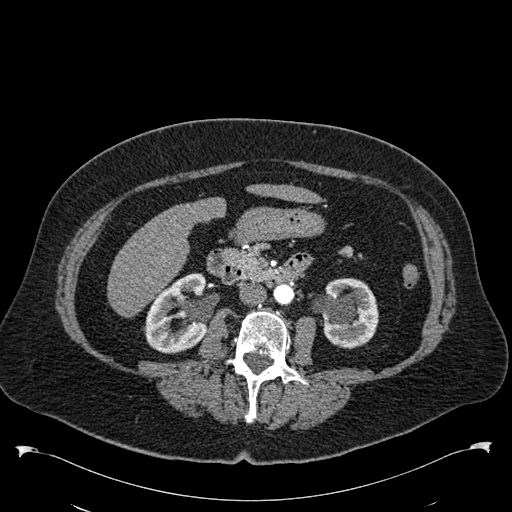
One axial slice (289 of 538, counting up from the lowest) of an arterial-phase abdominal CT acquired with 120 kVp, kernel B30f; each pixel is 0.811 mm and the slice is 1.00 mm thick.
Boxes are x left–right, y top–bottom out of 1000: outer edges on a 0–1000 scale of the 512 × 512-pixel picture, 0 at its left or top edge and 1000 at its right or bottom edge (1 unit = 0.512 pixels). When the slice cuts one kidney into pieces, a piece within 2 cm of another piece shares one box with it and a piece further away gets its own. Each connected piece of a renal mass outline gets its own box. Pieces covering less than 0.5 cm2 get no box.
Boxed on this slice (two kidney boxes), listed by box centre from the image's left to its right: (1) Right kidney, box x 279–406, y 533–691 out of 1000 (outlined area 3,730 px, about 24.5 cm2). (2) Box x 609–740, y 543–682 out of 1000: left kidney (outlined area 3,452 px, about 22.7 cm2). No renal mass is outlined on this slice.